Axial slice 110 of 301 of a contrast-enhanced abdominal CT (slice 1 is the lowest), 120 kVp, kernel I40f; 2.00 mm slice thickness and 0.859 mm pixels.
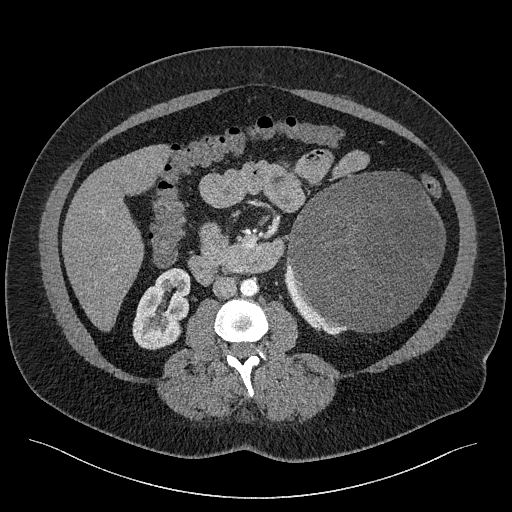
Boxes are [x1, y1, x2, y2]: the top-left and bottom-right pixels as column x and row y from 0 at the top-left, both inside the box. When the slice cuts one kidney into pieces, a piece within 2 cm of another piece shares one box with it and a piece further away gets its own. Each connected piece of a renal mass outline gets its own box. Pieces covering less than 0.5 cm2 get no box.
Two kidney boxes and one renal mass box on this slice; by box centre, from the image's left to its right: (1) Box [132, 267, 190, 350]: right kidney (outlined area 3,400 px, about 25.1 cm2). (2) Left kidney, box [284, 263, 348, 336] (outlined area 814 px, about 6.0 cm2). (3) Box [286, 171, 445, 332]: left renal mass (outlined area 19,739 px, about 145.8 cm2).